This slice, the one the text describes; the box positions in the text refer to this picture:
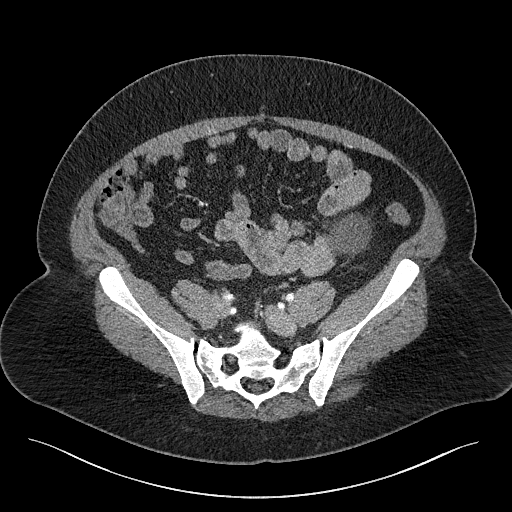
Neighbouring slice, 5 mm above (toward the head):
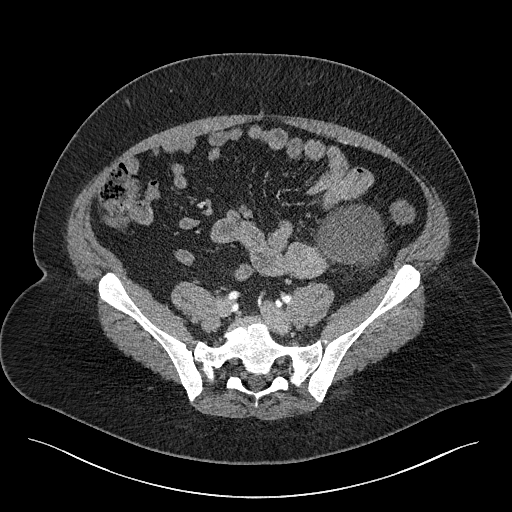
One axial slice (23 of 301, counting up from the lowest) of a contrast-enhanced abdominal CT acquired with 120 kVp, kernel I40f; each pixel is 0.859 mm and the slice is 2.00 mm thick.
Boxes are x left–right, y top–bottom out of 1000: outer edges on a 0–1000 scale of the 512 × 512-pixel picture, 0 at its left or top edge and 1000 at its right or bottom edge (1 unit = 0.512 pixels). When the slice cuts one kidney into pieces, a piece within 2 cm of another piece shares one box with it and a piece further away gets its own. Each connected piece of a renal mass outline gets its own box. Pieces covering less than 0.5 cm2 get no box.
Left renal mass at x 637–727, y 416–502 out of 1000 (outlined area 1,441 px, about 10.6 cm2); this slice has no kidney outline, though on another slice the same outlined renal mass lies within 1 cm of the kidney. This slice lies near the end of the left renal mass toward the feet; the slice 5 mm above it is shown too, and the boxes mark positions on this slice only.